Arterial-phase contrast-enhanced abdominal CT, axial slice 272 of 541 (counted from the lowest slice); tube voltage 120 kVp, convolution kernel I30f; slices 1.00 mm thick, 0.834 mm per pixel.
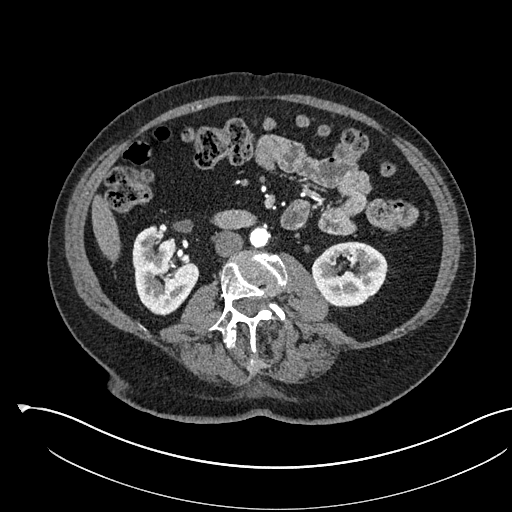
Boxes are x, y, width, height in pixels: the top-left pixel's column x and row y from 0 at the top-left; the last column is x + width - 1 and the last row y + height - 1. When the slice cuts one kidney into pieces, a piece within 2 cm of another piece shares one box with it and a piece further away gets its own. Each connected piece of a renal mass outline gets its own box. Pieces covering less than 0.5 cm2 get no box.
Boxed on this slice (two kidney boxes), listed by box centre from the image's left to its right: (1) Right kidney at x 132, y 225, width 68, height 91 (outlined area 4,180 px, about 29.1 cm2). (2) Box x 311, y 241, width 78, height 66: left kidney (outlined area 3,768 px, about 26.2 cm2). This slice carries no renal mass outline.